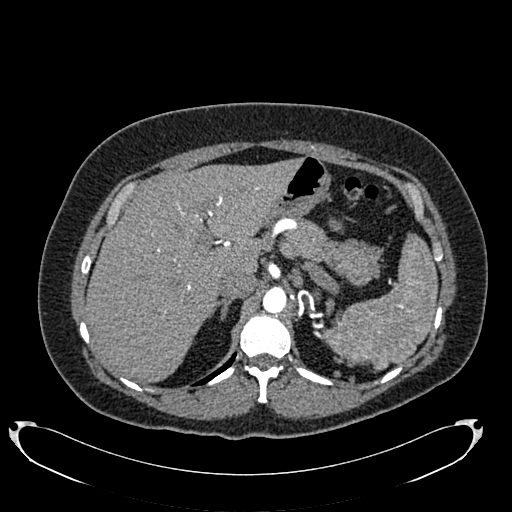
Axial slice 546 of 634 of a contrast-enhanced abdominal CT in the arterial phase (slice 1 is the lowest), 120 kVp, kernel B20f; 1.00 mm slice thickness and 0.838 mm pixels.
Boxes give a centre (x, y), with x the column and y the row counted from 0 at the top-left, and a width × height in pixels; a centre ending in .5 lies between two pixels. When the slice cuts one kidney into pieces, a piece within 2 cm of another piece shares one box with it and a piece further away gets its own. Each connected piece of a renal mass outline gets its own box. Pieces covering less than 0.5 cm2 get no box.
Left kidney, box centre (316, 294.5), 9 × 12 pixels (outlined area 74 px, about 0.5 cm2). No renal mass outline on this slice.